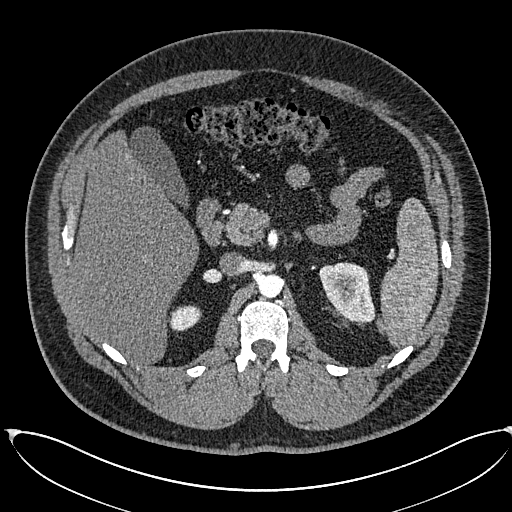
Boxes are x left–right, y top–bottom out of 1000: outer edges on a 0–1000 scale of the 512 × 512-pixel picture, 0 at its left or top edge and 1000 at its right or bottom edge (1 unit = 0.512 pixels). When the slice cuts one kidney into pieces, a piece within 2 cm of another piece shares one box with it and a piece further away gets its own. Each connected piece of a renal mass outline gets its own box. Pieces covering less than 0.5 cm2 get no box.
Slice 404/673 of a contrast-enhanced abdominal CT in the arterial phase, counting up from the lowest; pixel size 0.855 mm, slice thickness 1.00 mm. Two boxes on this slice (two kidney boxes), listed by box centre from the image's left to its right. (1) Right kidney at x 330–393, y 596–650 out of 1000 (outlined area 655 px, about 4.8 cm2). (2) Left kidney at x 623–734, y 512–631 out of 1000 (outlined area 2,487 px, about 18.2 cm2). No renal mass is outlined on this slice.
Acquired at 120 kVp and reconstructed with the I30f kernel.